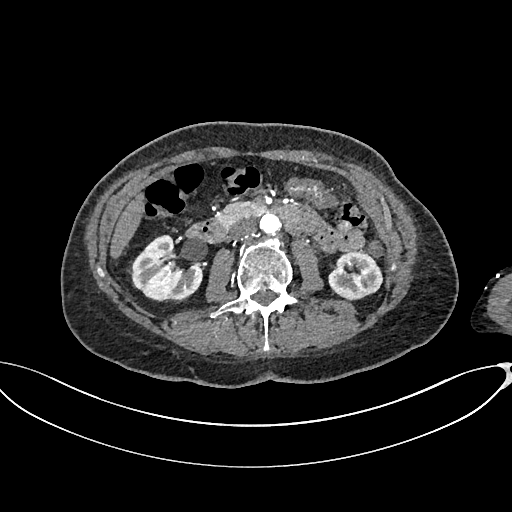
Arterial-phase contrast-enhanced abdominal CT, axial slice 363 of 665 (counted from the lowest slice); tube voltage 100 kVp, convolution kernel I26f; slices 1.00 mm thick, 0.828 mm per pixel.
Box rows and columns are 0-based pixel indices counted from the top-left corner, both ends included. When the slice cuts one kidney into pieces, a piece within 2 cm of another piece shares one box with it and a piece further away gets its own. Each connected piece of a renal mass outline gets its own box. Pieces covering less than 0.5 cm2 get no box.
Two kidney boxes on this slice; by box centre, from the image's left to its right: (1) Right kidney, box rows 234–302, columns 127–202 (outlined area 3,384 px, about 23.2 cm2). (2) Left kidney at rows 252–299, columns 328–383 (outlined area 2,036 px, about 14.0 cm2). This slice carries no renal mass outline.